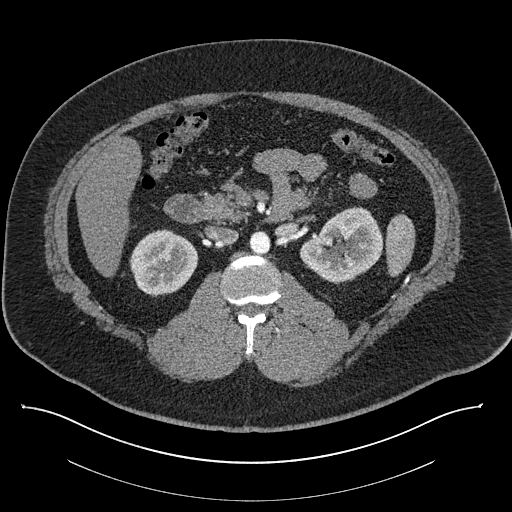
Contrast-enhanced abdominal CT, axial slice 504 of 787 (counted from the lowest slice); tube voltage 140 kVp, convolution kernel I30f; slices 1.00 mm thick, 0.910 mm per pixel.
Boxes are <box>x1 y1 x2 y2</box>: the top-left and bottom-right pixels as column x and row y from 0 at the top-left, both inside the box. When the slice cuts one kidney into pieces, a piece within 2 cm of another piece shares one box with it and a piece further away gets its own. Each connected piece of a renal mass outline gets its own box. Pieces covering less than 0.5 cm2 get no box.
Two kidney boxes on this slice; by box centre, from the image's left to its right: (1) Right kidney at <box>129 229 198 296</box> (outlined area 3,475 px, about 28.8 cm2). (2) Left kidney: <box>299 206 383 284</box> (outlined area 4,432 px, about 36.7 cm2). This slice carries no renal mass outline.